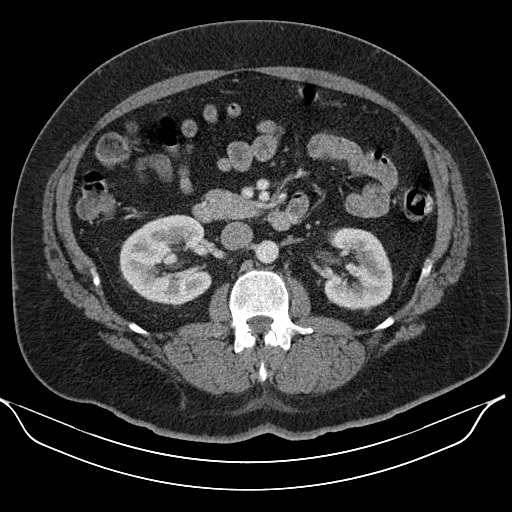
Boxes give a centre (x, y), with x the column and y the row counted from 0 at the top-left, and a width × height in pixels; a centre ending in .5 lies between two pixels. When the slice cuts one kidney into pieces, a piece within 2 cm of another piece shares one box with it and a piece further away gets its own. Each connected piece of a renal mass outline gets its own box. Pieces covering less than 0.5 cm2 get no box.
This is axial slice 68 of 110 (slice 1 is the lowest) of an arterial-phase abdominal CT with contrast; each pixel is 0.836 mm and the slice is 5.00 mm thick. Two boxes on this slice (two kidney boxes), listed by box centre from the image's left to its right. (1) Right kidney, box centre (165.5, 260), 94 × 93 pixels (outlined area 6,279 px, about 43.9 cm2). (2) Box centre (358, 268.5), 71 × 84 pixels: left kidney (outlined area 4,461 px, about 31.2 cm2). No renal mass is outlined on this slice.
Tube voltage 130 kVp; convolution kernel B30s.